Axial slice 326 of 512 of a contrast-enhanced abdominal CT in the arterial phase (slice 1 is the lowest), 120 kVp, kernel B30f; 1.00 mm slice thickness and 0.771 mm pixels.
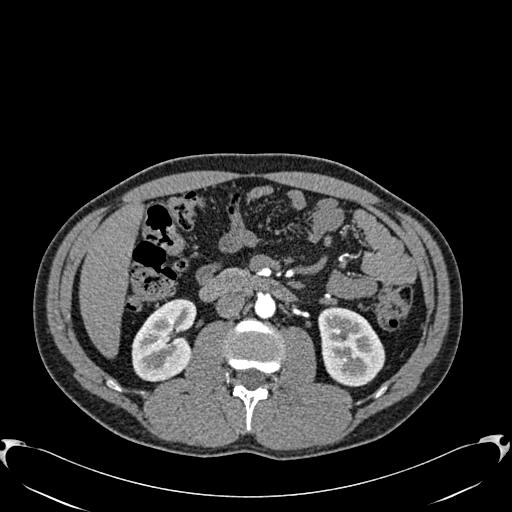
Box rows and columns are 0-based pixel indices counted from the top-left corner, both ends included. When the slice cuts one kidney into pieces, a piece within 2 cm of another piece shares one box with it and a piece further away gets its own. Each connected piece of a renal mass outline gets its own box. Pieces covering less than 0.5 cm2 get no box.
Boxed on this slice (two kidney boxes), listed by box centre from the image's left to its right: (1) Box rows 298–381, columns 131–196: right kidney (outlined area 3,918 px, about 23.3 cm2). (2) Box rows 306–386, columns 318–385: left kidney (outlined area 4,094 px, about 24.4 cm2). No renal mass is outlined on this slice.